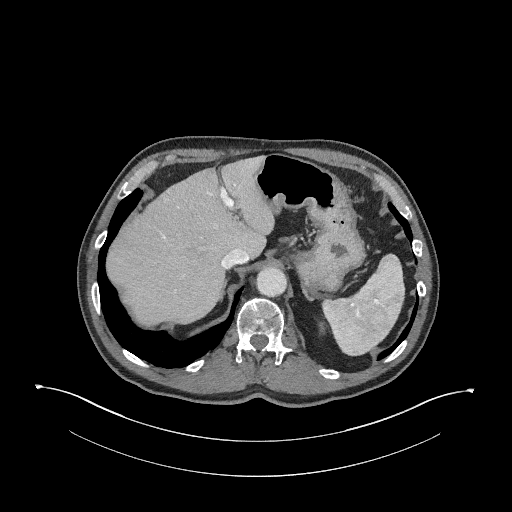
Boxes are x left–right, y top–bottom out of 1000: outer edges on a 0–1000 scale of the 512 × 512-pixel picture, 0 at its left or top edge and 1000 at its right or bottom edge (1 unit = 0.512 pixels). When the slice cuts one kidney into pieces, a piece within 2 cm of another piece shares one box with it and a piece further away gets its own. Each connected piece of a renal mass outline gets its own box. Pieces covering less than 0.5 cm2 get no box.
Arterial-phase contrast-enhanced abdominal CT, axial slice 190 of 345 (counted from the lowest slice); 2.00 mm thick, 0.977 mm per pixel. Box x 621–641, y 627–654 out of 1000: left kidney (outlined area 90 px, about 0.9 cm2). No renal mass outline on this slice.
Scan settings: 120 kVp, I31f reconstruction kernel.